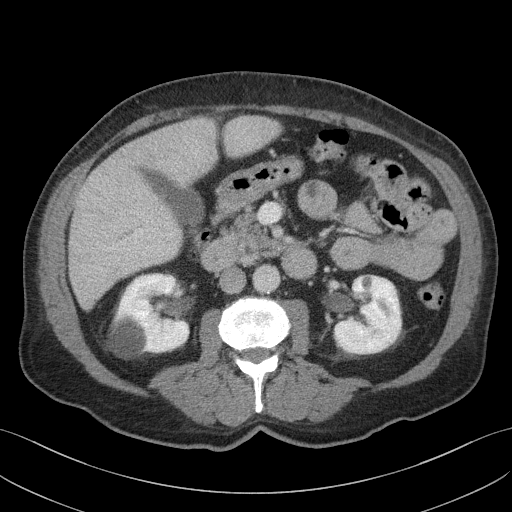
One axial slice (68 of 103, counting up from the lowest) of a contrast-enhanced abdominal CT acquired with 100 kVp, kernel I41f; each pixel is 0.742 mm and the slice is 4.00 mm thick.
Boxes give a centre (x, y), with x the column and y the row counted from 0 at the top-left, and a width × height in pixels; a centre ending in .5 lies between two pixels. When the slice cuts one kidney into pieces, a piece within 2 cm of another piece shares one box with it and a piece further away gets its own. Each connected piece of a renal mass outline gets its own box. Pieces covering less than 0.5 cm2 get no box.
Two kidney boxes on this slice; by box centre, from the image's left to its right: (1) Box centre (148, 315.5), 85 × 88 pixels: right kidney (outlined area 5,448 px, about 30.0 cm2). (2) Left kidney in a box with centre (367.5, 314), 70 × 81 pixels (outlined area 4,417 px, about 24.3 cm2). This slice carries no renal mass outline.